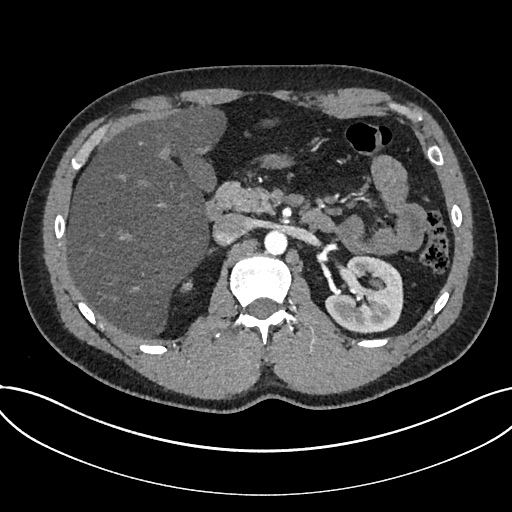
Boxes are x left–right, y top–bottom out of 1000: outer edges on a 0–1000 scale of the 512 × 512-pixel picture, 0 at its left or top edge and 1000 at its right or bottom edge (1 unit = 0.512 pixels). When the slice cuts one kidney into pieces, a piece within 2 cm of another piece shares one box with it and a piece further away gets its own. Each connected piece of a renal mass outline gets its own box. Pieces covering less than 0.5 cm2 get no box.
This is axial slice 475 of 735 (slice 1 is the lowest) of an arterial-phase abdominal CT with contrast; each pixel is 0.789 mm and the slice is 1.00 mm thick. Two kidney boxes on this slice; by box centre, from the image's left to its right: (1) Kidney, box x 352–377, y 545–572 out of 1000 (outlined area 119 px, about 0.7 cm2). (2) Kidney, box x 635–789, y 496–652 out of 1000 (outlined area 4,615 px, about 28.7 cm2). No renal mass outline on this slice.
Acquired at 120 kVp and reconstructed with the I30f kernel.